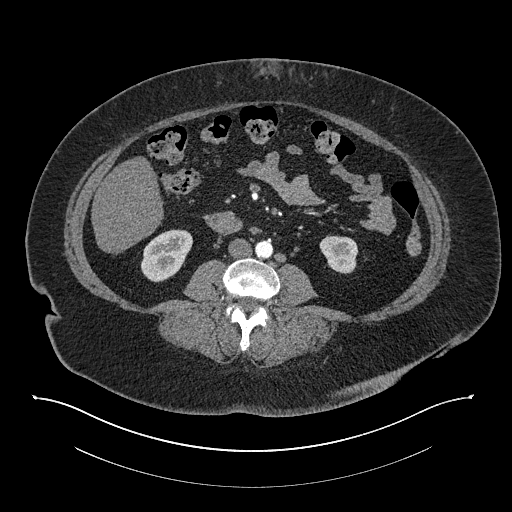
One axial slice (365 of 673, counting up from the lowest) of an arterial-phase abdominal CT acquired with 140 kVp, kernel I30f; each pixel is 0.957 mm and the slice is 1.00 mm thick.
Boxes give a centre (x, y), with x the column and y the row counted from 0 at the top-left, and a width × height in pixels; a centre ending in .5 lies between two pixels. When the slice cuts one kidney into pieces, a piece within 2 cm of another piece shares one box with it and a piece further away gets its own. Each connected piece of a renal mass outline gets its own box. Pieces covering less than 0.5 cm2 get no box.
Two boxes on this slice (two kidney boxes), listed by box centre from the image's left to its right. (1) Right kidney in a box with centre (166.5, 255.5), 54 × 54 pixels (outlined area 1,978 px, about 18.1 cm2). (2) Left kidney, box centre (338.5, 254), 40 × 39 pixels (outlined area 1,160 px, about 10.6 cm2). No renal mass is outlined on this slice.